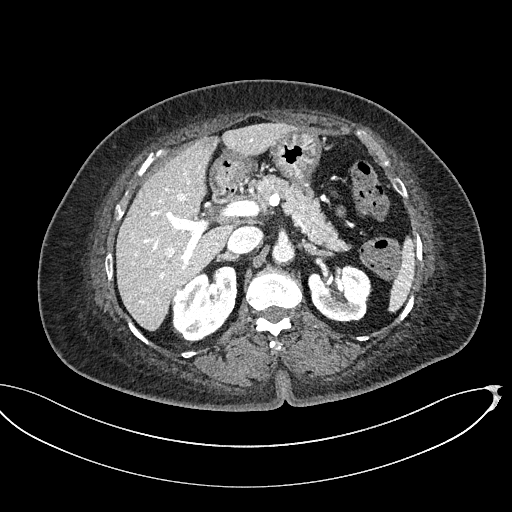
One axial slice (329 of 439, counting up from the lowest) of a contrast-enhanced abdominal CT acquired with 100 kVp, kernel I40f; each pixel is 0.850 mm and the slice is 2.00 mm thick.
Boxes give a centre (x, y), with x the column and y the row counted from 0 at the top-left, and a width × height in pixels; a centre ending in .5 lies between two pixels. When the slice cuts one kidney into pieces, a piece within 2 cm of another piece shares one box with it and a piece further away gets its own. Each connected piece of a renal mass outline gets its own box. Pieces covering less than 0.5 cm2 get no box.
Boxed on this slice (two kidney boxes and one renal mass box), listed by box centre from the image's left to its right: (1) Right renal mass in a box with centre (178.5, 298), 14 × 23 pixels (outlined area 227 px, about 1.6 cm2). (2) Right kidney, box centre (204.5, 304.5), 66 × 80 pixels (outlined area 3,421 px, about 24.7 cm2). (3) Left kidney, box centre (340, 293.5), 65 × 58 pixels (outlined area 2,861 px, about 20.7 cm2).